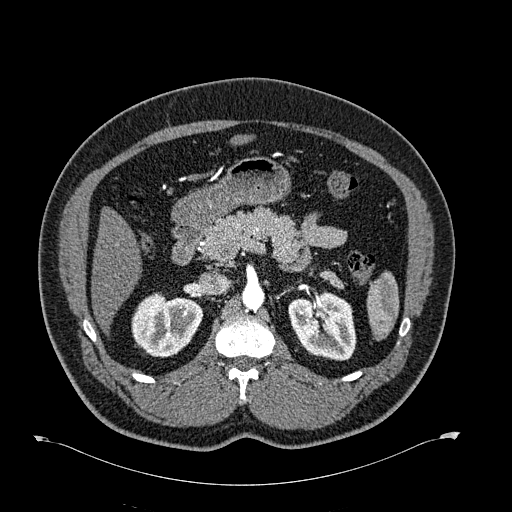
One axial slice (415 of 723, counting up from the lowest) of an arterial-phase abdominal CT acquired with 120 kVp, kernel B30f; each pixel is 0.895 mm and the slice is 1.00 mm thick.
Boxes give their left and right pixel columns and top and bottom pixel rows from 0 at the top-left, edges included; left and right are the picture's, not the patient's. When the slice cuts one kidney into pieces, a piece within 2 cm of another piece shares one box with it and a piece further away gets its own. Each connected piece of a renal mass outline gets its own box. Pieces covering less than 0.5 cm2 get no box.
Two boxes on this slice (two kidney boxes), listed by box centre from the image's left to its right. (1) Right kidney, the box with left 131, top 292, right 203, bottom 357 (outlined area 3,485 px, about 27.9 cm2). (2) Box with left 288, top 290, right 356, bottom 360: left kidney (outlined area 3,677 px, about 29.4 cm2). No renal mass is outlined on this slice.